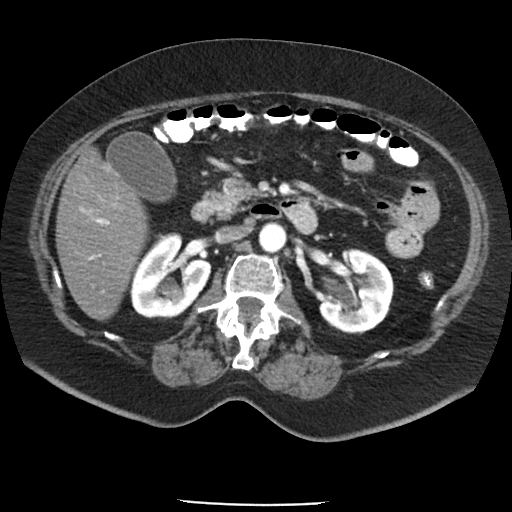
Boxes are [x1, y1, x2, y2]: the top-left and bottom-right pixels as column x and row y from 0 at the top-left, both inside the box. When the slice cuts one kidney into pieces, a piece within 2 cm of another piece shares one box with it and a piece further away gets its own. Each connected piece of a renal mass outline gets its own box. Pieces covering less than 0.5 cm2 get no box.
Slice 57/85 of a contrast-enhanced abdominal CT in the arterial phase, counting up from the lowest; pixel size 0.741 mm, slice thickness 5.00 mm. Boxed on this slice (two kidney boxes), listed by box centre from the image's left to its right: (1) Box [129, 232, 211, 318]: right kidney (outlined area 4,891 px, about 26.9 cm2). (2) Box [319, 248, 393, 333]: left kidney (outlined area 4,697 px, about 25.8 cm2). This slice carries no renal mass outline.
Tube voltage 120 kVp; convolution kernel FC19.